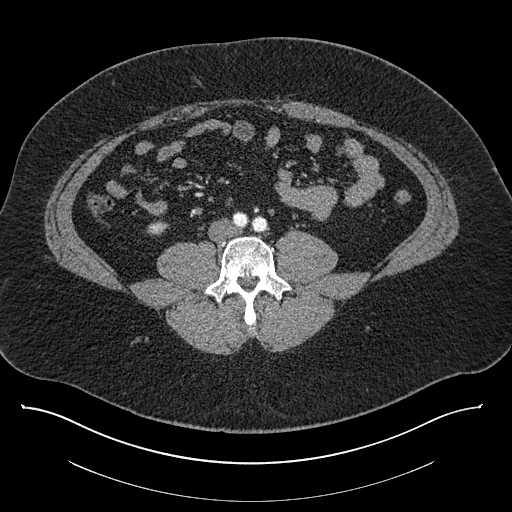
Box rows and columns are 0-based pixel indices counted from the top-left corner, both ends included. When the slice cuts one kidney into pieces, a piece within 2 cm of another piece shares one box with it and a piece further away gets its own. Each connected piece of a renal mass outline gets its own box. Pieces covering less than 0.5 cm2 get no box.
Slice 317/787 of a contrast-enhanced abdominal CT, counting up from the lowest; pixel size 0.910 mm, slice thickness 1.00 mm. Right kidney, box rows 220–235, columns 147–169 (outlined area 239 px, about 2.0 cm2). No renal mass is outlined on this slice.
Scan settings: 140 kVp, I30f reconstruction kernel.